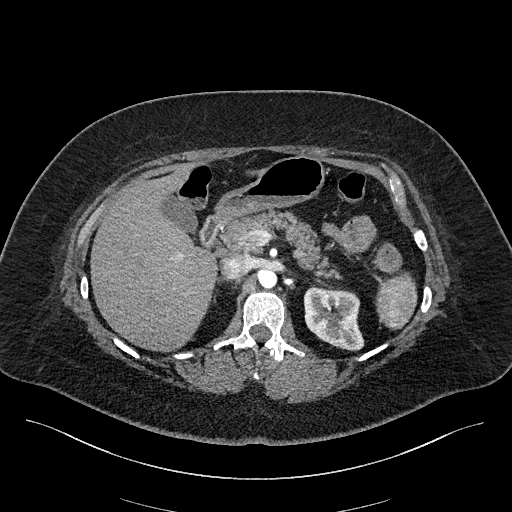
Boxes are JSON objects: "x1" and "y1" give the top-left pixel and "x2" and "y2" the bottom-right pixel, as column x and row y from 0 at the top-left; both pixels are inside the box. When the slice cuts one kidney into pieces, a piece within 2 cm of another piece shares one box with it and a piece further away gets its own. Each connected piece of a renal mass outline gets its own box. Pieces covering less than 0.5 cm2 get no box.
This is axial slice 140 of 270 (slice 1 is the lowest) of an arterial-phase abdominal CT with contrast; each pixel is 0.855 mm and the slice is 2.00 mm thick. Left kidney at {"x1": 303, "y1": 286, "x2": 364, "y2": 350} (outlined area 2,968 px, about 21.7 cm2). This slice carries no renal mass outline.
Scan settings: 100 kVp, I40f reconstruction kernel.